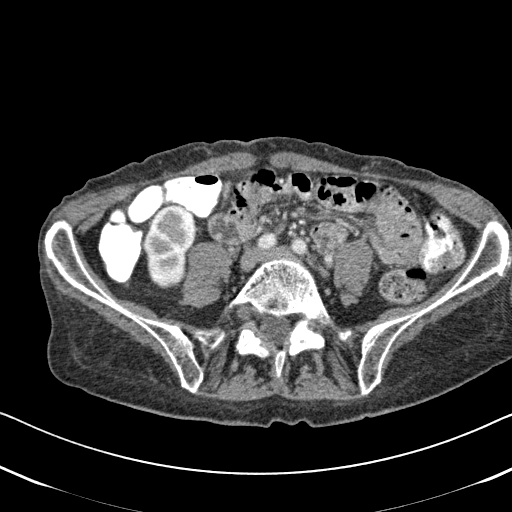
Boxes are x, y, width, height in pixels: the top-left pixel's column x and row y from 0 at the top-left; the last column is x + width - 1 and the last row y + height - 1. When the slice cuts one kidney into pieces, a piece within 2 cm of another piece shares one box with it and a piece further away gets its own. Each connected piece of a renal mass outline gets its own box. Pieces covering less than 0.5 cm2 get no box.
Slice 221/620 of a contrast-enhanced abdominal CT in the arterial phase, counting up from the lowest; pixel size 0.637 mm, slice thickness 2.00 mm. Right kidney at x 143, y 204, width 55, height 85 (outlined area 3,506 px, about 14.2 cm2). This slice carries no renal mass outline.
Scan settings: 120 kVp, B31f reconstruction kernel.